Axial slice 39 of 304 of a contrast-enhanced abdominal CT in the arterial phase (slice 1 is the lowest), 100 kVp, kernel I30f; 2.00 mm slice thickness and 0.809 mm pixels.
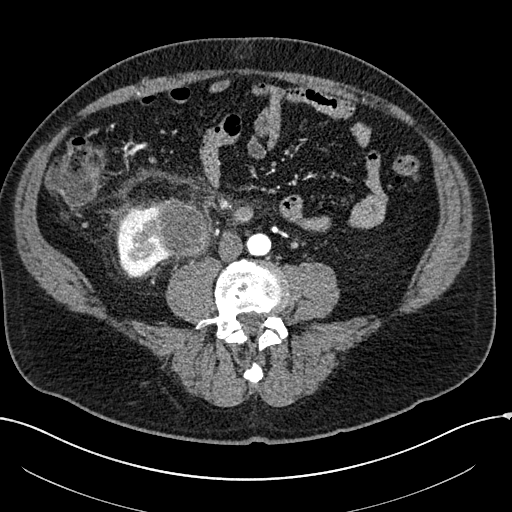
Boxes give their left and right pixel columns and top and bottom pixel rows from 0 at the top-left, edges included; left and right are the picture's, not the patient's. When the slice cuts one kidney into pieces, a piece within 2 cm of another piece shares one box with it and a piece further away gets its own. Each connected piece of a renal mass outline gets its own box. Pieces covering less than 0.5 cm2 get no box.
One kidney box and one renal mass box on this slice; by box centre, from the image's left to its right: (1) Right kidney in the box with left 115, top 205, right 175, bottom 278 (outlined area 2,326 px, about 15.2 cm2). (2) Right renal mass, the box with left 130, top 198, right 210, bottom 257 (outlined area 3,292 px, about 21.5 cm2).